Axial slice 55 of 90 of a contrast-enhanced abdominal CT in the arterial phase (slice 1 is the lowest), 100 kVp, kernel I40f; 5.00 mm slice thickness and 0.703 mm pixels.
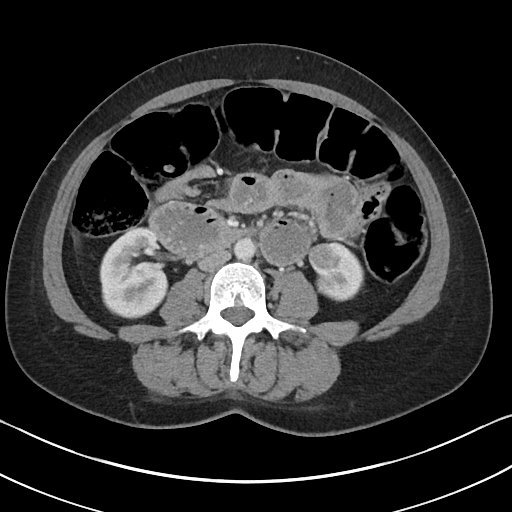
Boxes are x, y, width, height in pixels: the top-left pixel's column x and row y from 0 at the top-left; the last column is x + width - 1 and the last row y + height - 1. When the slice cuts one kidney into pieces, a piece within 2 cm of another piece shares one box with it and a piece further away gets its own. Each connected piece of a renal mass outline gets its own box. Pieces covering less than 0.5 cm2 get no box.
Three boxes on this slice (two kidney boxes and one renal mass box), listed by box centre from the image's left to its right. (1) Right kidney at x 99, y 227, width 70, height 93 (outlined area 4,917 px, about 24.3 cm2). (2) Left renal mass at x 308, y 241, width 37, height 33 (outlined area 961 px, about 4.8 cm2). (3) Left kidney at x 315, y 246, width 49, height 56 (outlined area 1,563 px, about 7.7 cm2).